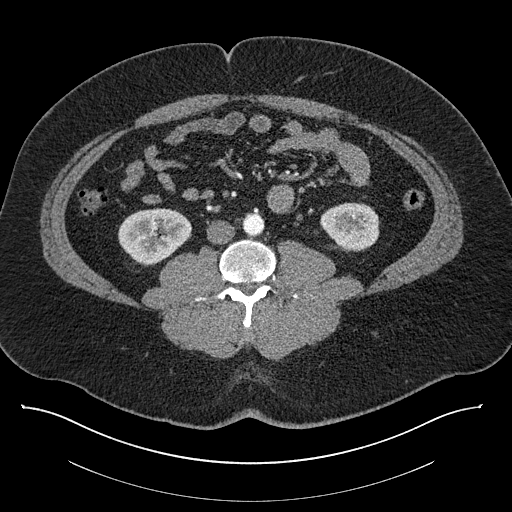
One axial slice (382 of 787, counting up from the lowest) of a contrast-enhanced abdominal CT acquired with 140 kVp, kernel I30f; each pixel is 0.910 mm and the slice is 1.00 mm thick.
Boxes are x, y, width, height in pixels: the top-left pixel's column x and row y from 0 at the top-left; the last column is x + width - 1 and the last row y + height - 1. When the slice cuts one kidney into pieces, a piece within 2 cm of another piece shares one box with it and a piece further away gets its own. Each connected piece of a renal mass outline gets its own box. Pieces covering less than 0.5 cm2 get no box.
Two boxes on this slice (two kidney boxes), listed by box centre from the image's left to its right. (1) Box x 118, y 208, width 74, height 58: right kidney (outlined area 3,157 px, about 26.2 cm2). (2) Box x 320, y 202, width 60, height 49: left kidney (outlined area 2,272 px, about 18.8 cm2). This slice carries no renal mass outline.